Abdominal CT with intravenous contrast, arterial phase, axial plane, 120 kVp, kernel B20f. Slice 448/634 from the bottom of the scan; thickness 1.00 mm; pixel size 0.838 mm.
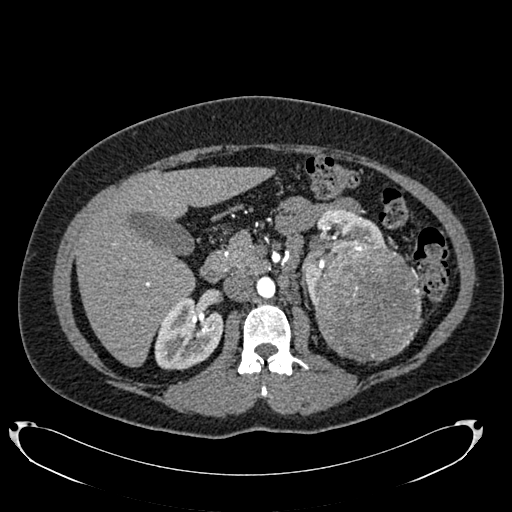
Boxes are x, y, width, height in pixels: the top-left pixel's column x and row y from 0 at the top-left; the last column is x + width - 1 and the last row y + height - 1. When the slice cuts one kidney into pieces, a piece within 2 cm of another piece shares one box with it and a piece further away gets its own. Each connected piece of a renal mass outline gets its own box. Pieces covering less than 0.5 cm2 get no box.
Three boxes on this slice (two kidney boxes and one renal mass box), listed by box centre from the image's left to its right. (1) Right kidney, box x 154, y 296, width 72, height 75 (outlined area 3,707 px, about 26.0 cm2). (2) Box x 303, y 209, width 84, height 96: left kidney (outlined area 2,585 px, about 18.1 cm2). (3) Left renal mass at x 314, y 241, width 110, height 122 (outlined area 10,783 px, about 75.7 cm2).